One axial slice (319 of 738, counting up from the lowest) of an arterial-phase abdominal CT acquired with 120 kVp, kernel I30f; each pixel is 0.789 mm and the slice is 1.00 mm thick.
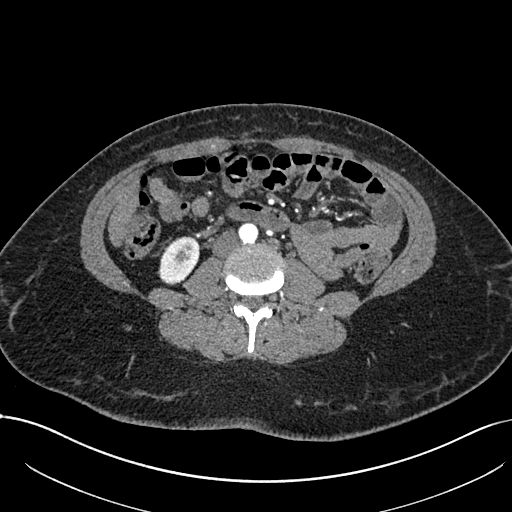
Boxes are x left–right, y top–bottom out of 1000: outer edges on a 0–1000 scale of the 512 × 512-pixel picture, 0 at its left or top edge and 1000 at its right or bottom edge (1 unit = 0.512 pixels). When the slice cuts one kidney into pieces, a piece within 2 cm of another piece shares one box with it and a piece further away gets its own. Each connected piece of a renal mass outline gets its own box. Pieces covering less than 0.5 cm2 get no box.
Right kidney, box x 307–391, y 461–557 out of 1000 (outlined area 1,501 px, about 9.3 cm2). No renal mass outline on this slice.